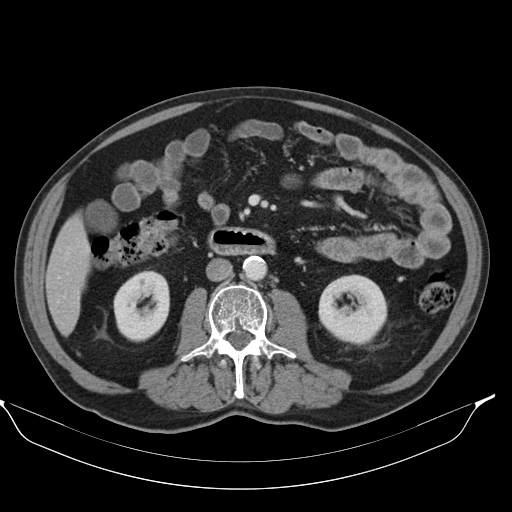
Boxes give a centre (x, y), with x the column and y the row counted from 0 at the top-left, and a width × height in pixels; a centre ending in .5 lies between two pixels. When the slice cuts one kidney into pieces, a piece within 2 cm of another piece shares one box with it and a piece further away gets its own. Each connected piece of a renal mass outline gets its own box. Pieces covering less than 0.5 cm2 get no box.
This is axial slice 51 of 98 (slice 1 is the lowest) of an abdominal CT with contrast; each pixel is 0.840 mm and the slice is 5.00 mm thick. Two kidney boxes on this slice; by box centre, from the image's left to its right: (1) Right kidney in a box with centre (141, 306), 57 × 73 pixels (outlined area 3,176 px, about 22.4 cm2). (2) Box centre (352.5, 310), 70 × 73 pixels: left kidney (outlined area 3,808 px, about 26.9 cm2). No renal mass outline on this slice.
Scan settings: 130 kVp, B30s reconstruction kernel.